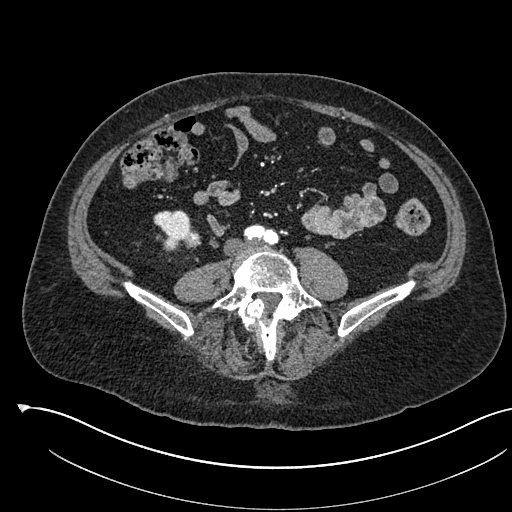
Abdominal CT with intravenous contrast, arterial phase, axial plane, 120 kVp, kernel I30f. Slice 190/541 from the bottom of the scan; thickness 1.00 mm; pixel size 0.834 mm.
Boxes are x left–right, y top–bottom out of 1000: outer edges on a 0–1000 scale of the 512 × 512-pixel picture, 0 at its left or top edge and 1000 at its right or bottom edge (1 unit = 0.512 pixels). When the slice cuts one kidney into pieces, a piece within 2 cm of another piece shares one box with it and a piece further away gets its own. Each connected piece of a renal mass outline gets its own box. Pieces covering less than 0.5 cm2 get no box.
Boxed on this slice (one kidney box and one renal mass box), listed by box centre from the image's left to its right: (1) Right kidney, box x 299–377, y 410–486 out of 1000 (outlined area 1,012 px, about 7.0 cm2). (2) Right renal mass, box x 355–395, y 447–486 out of 1000 (outlined area 279 px, about 1.9 cm2).